Axial slice 298 of 433 of a contrast-enhanced abdominal CT (slice 1 is the lowest), 120 kVp, kernel B30f; 1.00 mm slice thickness and 0.672 mm pixels.
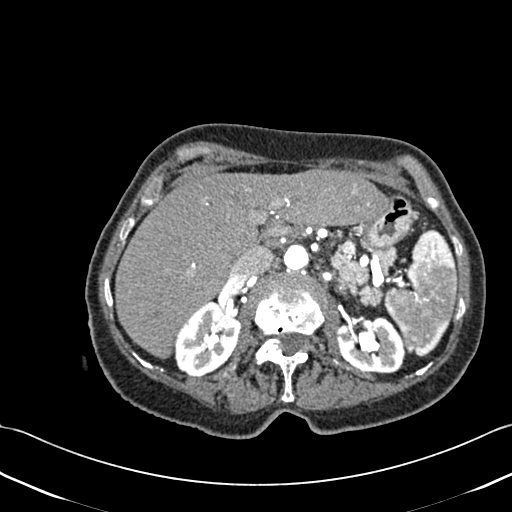
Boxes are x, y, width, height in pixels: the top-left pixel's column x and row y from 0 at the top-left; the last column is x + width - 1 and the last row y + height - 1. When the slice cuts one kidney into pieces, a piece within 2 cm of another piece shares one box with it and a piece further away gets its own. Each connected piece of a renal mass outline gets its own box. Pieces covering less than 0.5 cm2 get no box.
Boxed on this slice (two kidney boxes), listed by box centre from the image's left to its right: (1) Box x 174, y 301, width 67, height 76: right kidney (outlined area 3,514 px, about 15.9 cm2). (2) Box x 336, y 316, width 70, height 59: left kidney (outlined area 3,116 px, about 14.1 cm2). This slice carries no renal mass outline.